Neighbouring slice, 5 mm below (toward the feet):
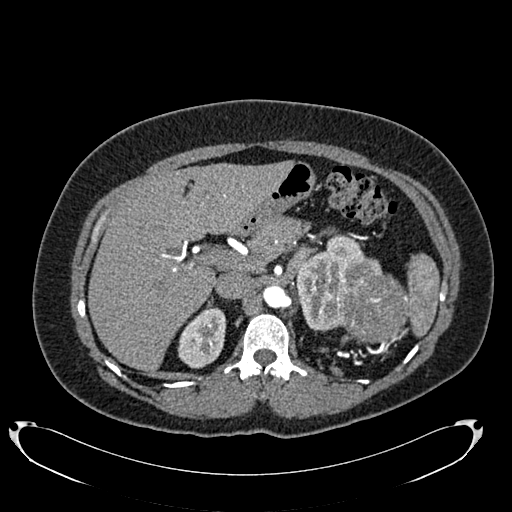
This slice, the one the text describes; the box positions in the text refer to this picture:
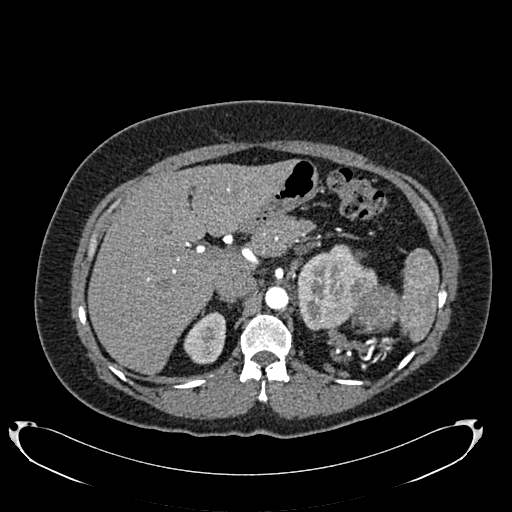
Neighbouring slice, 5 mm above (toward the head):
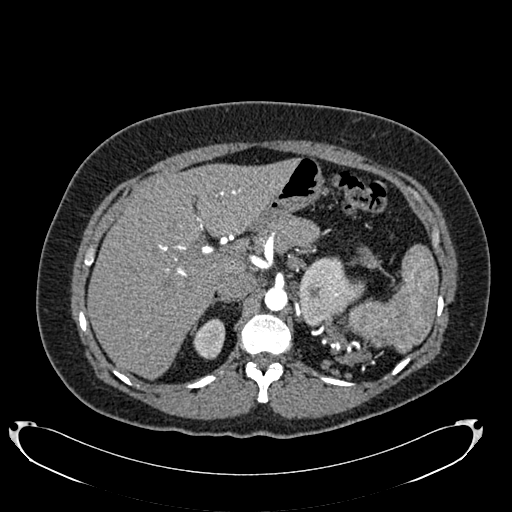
Axial slice 519 of 634 of a contrast-enhanced abdominal CT in the arterial phase (slice 1 is the lowest), 120 kVp, kernel B20f; 1.00 mm slice thickness and 0.838 mm pixels.
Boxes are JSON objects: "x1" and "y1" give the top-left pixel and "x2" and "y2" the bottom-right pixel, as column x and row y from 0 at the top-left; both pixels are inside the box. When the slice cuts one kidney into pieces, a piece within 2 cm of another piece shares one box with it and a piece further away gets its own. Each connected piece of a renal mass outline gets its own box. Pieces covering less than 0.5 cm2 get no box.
Boxed on this slice (two kidney boxes and one renal mass box), listed by box centre from the image's left to its right: (1) Right kidney, box {"x1": 183, "y1": 311, "x2": 225, "y2": 364} (outlined area 1,664 px, about 11.7 cm2). (2) Left kidney at {"x1": 297, "y1": 244, "x2": 377, "y2": 329} (outlined area 4,403 px, about 30.9 cm2). (3) Left renal mass, box {"x1": 350, "y1": 281, "x2": 401, "y2": 333} (outlined area 2,010 px, about 14.1 cm2). This slice lies near the end of the left renal mass toward the head; the slices 5 mm below and 5 mm above it are shown too, and the boxes mark positions on this slice only.